Abdominal CT with intravenous contrast, arterial phase, axial plane, 100 kVp, kernel I30f. Slice 252/325 from the bottom of the scan; thickness 1.00 mm; pixel size 0.703 mm.
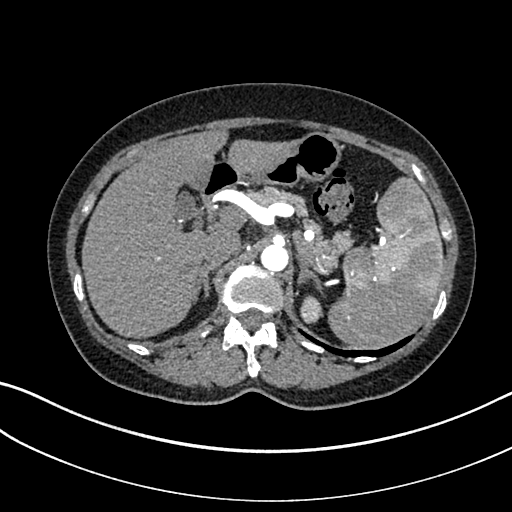
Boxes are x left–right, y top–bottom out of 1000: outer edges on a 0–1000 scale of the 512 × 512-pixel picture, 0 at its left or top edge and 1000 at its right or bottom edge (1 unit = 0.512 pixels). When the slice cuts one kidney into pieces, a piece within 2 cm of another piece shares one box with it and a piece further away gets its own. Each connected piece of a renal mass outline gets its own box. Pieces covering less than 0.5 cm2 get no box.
Left kidney, box x 586–633, y 576–633 out of 1000 (outlined area 492 px, about 2.4 cm2). No renal mass outline on this slice.